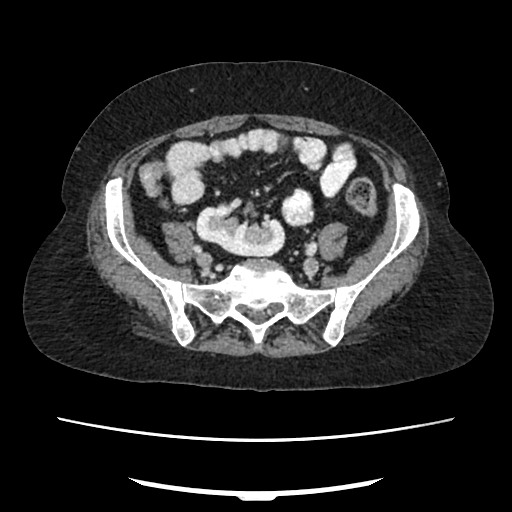
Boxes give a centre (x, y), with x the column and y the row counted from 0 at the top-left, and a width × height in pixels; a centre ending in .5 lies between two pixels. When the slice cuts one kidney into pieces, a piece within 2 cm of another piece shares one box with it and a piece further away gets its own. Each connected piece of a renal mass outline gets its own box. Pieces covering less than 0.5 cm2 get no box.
This is axial slice 76 of 207 (slice 1 is the lowest) of an arterial-phase abdominal CT with contrast; each pixel is 0.741 mm and the slice is 2.00 mm thick. Box centre (240, 227), 91 × 59 pixels: right kidney (outlined area 3,595 px, about 19.7 cm2). No renal mass is outlined on this slice.
Tube voltage 120 kVp; convolution kernel FC18.